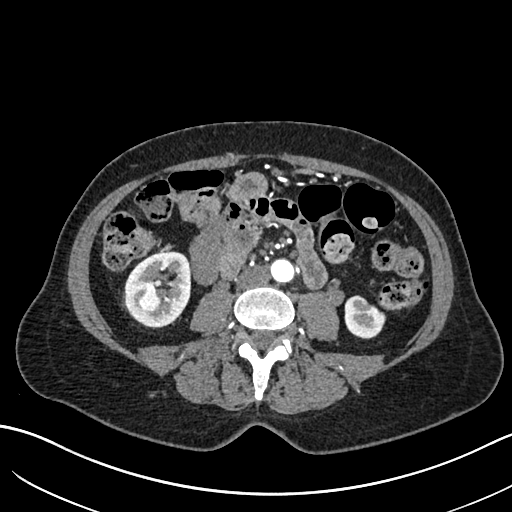
Axial slice 293 of 683 of a contrast-enhanced abdominal CT in the arterial phase (slice 1 is the lowest), 120 kVp, kernel I30f; 1.00 mm slice thickness and 0.738 mm pixels.
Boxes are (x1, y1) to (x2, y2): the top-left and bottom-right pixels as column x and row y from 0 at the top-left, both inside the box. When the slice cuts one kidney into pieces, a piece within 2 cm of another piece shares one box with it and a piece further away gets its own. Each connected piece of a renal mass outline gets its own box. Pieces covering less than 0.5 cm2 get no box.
Boxed on this slice (two kidney boxes and one renal mass box), listed by box centre from the image's left to its right: (1) Right renal mass from (137, 288) to (161, 311) (outlined area 465 px, about 2.5 cm2). (2) Box (124, 251) to (190, 327): right kidney (outlined area 3,612 px, about 19.7 cm2). (3) Left kidney, box (344, 295) to (385, 339) (outlined area 1,343 px, about 7.3 cm2).